Abdominal CT with intravenous contrast, arterial phase, axial plane, 120 kVp, kernel I30f. Slice 485/705 from the bottom of the scan; thickness 1.00 mm; pixel size 0.703 mm.
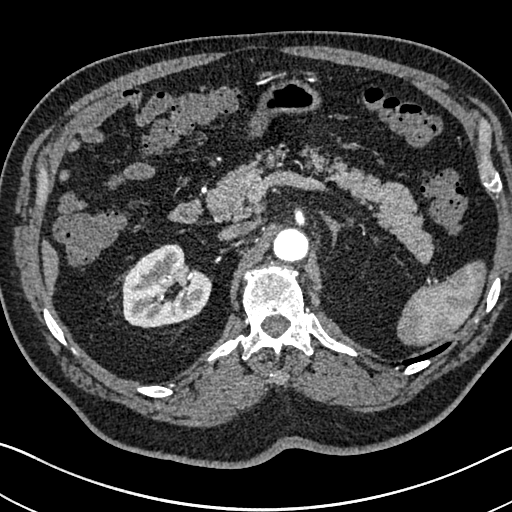
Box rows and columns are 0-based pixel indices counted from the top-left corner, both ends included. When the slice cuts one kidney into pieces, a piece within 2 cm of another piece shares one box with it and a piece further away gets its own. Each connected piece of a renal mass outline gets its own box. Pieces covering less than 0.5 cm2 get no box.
Right kidney, box rows 244–328, columns 122–211 (outlined area 5,404 px, about 26.7 cm2). No renal mass is outlined on this slice.